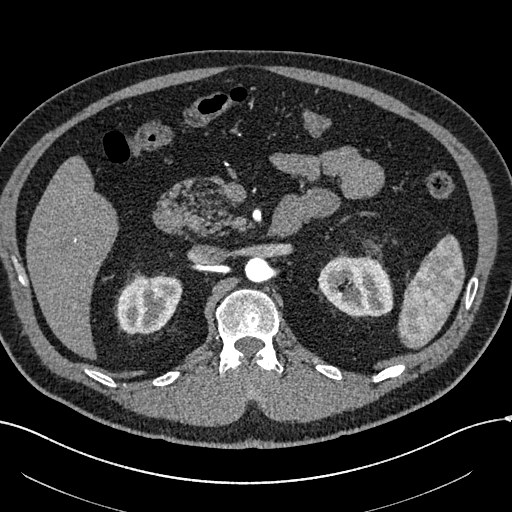
Abdominal CT with intravenous contrast, arterial phase, axial plane, 120 kVp, kernel I30f. Slice 388/602 from the bottom of the scan; thickness 1.00 mm; pixel size 0.799 mm.
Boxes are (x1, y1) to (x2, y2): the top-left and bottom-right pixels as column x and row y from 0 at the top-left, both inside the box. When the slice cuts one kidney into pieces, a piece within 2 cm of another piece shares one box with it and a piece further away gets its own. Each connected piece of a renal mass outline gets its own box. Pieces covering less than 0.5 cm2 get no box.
Two boxes on this slice (two kidney boxes), listed by box centre from the image's left to its right. (1) Right kidney, box (116, 273) to (182, 333) (outlined area 3,099 px, about 19.8 cm2). (2) Left kidney, box (317, 256) to (392, 316) (outlined area 3,644 px, about 23.3 cm2). No renal mass is outlined on this slice.